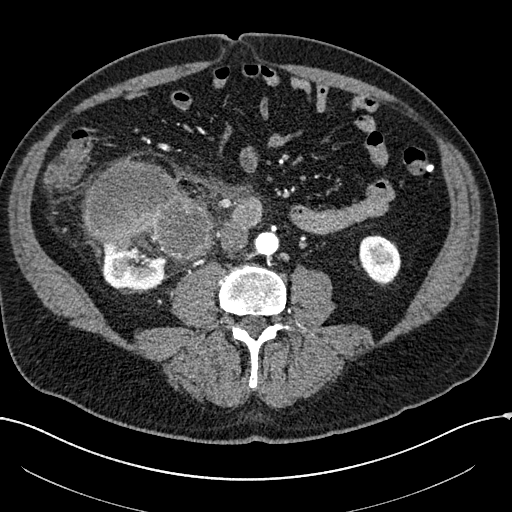
Abdominal CT with intravenous contrast, arterial phase, axial plane, 100 kVp, kernel I30f. Slice 54/304 from the bottom of the scan; thickness 2.00 mm; pixel size 0.809 mm.
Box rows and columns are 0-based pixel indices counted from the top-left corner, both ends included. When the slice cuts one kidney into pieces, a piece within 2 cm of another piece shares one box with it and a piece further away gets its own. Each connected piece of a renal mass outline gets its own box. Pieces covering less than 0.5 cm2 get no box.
Three boxes on this slice (two kidney boxes and one renal mass box), listed by box centre from the image's left to its right. (1) Box rows 230–291, columns 102–174: right kidney (outlined area 3,026 px, about 19.8 cm2). (2) Right renal mass at rows 160–261, columns 84–215 (outlined area 8,832 px, about 57.7 cm2). (3) Left kidney, box rows 235–286, columns 359–401 (outlined area 1,637 px, about 10.7 cm2).